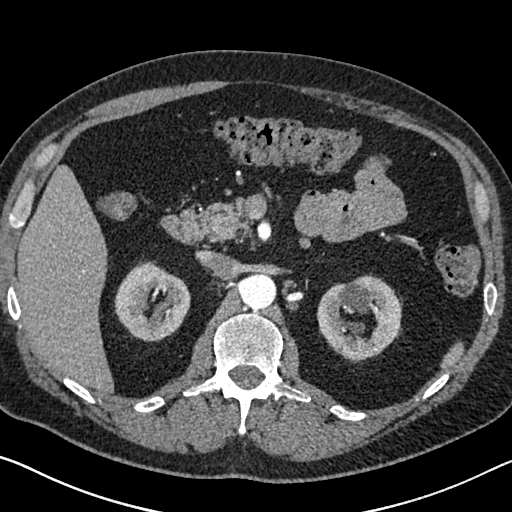
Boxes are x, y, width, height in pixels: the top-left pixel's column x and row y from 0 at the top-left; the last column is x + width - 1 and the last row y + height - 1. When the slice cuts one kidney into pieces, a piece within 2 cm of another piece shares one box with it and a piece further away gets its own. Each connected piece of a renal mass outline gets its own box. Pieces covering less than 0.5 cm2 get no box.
Slice 442/626 of a contrast-enhanced abdominal CT in the arterial phase, counting up from the lowest; pixel size 0.703 mm, slice thickness 1.00 mm. Boxed on this slice (two kidney boxes), listed by box centre from the image's left to its right: (1) Right kidney, box x 114, y 261, width 77, height 81 (outlined area 4,354 px, about 21.5 cm2). (2) Left kidney, box x 316, y 274, width 87, height 89 (outlined area 5,172 px, about 25.6 cm2). No renal mass outline on this slice.
Acquired at 120 kVp and reconstructed with the I30f kernel.